One axial slice (71 of 107, counting up from the lowest) of a contrast-enhanced abdominal CT acquired with 120 kVp, kernel B31f; each pixel is 0.941 mm and the slice is 5.00 mm thick.
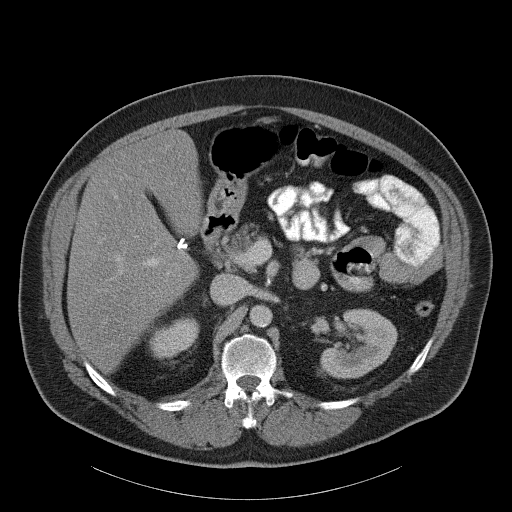
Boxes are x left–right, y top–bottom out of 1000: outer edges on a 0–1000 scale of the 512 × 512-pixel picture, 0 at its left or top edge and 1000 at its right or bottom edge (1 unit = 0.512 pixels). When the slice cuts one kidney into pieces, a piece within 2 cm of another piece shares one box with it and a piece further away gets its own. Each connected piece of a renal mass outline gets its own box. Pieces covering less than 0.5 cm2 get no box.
Two kidney boxes on this slice; by box centre, from the image's left to its right: (1) Right kidney at x 289–391, y 617–703 out of 1000 (outlined area 1,515 px, about 13.4 cm2). (2) Box x 625–777, y 602–742 out of 1000: left kidney (outlined area 3,828 px, about 33.9 cm2). No renal mass is outlined on this slice.